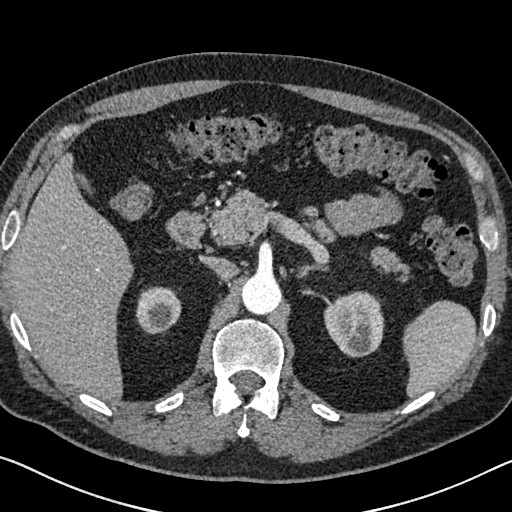
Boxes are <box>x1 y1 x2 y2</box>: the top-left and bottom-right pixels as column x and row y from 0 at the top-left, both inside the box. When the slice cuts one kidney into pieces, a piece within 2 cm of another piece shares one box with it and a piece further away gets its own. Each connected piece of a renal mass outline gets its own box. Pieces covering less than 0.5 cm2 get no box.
Arterial-phase contrast-enhanced abdominal CT, axial slice 470 of 626 (counted from the lowest slice); 1.00 mm thick, 0.703 mm per pixel. Two kidney boxes on this slice; by box centre, from the image's left to its right: (1) Right kidney at <box>136 286 181 334</box> (outlined area 1,736 px, about 8.6 cm2). (2) Left kidney at <box>324 291 384 357</box> (outlined area 3,118 px, about 15.4 cm2). No renal mass is outlined on this slice.
Scan settings: 120 kVp, I30f reconstruction kernel.